Abdominal CT with intravenous contrast, axial plane, 120 kVp, kernel B31f. Slice 78/99 from the bottom of the scan; thickness 5.00 mm; pixel size 0.742 mm.
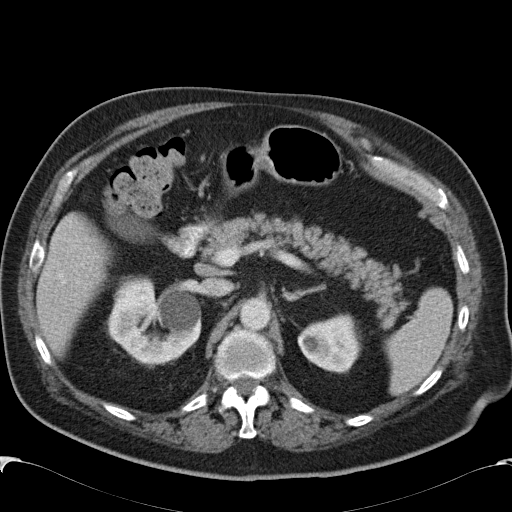
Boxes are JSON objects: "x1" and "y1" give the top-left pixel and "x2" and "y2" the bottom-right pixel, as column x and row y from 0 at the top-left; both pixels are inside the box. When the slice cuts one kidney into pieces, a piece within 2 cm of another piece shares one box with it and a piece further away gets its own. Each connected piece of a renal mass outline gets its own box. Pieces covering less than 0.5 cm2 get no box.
Boxed on this slice (two kidney boxes), listed by box centre from the image's left to its right: (1) Box {"x1": 108, "y1": 275, "x2": 201, "y2": 364}: right kidney (outlined area 6,079 px, about 33.5 cm2). (2) Box {"x1": 297, "y1": 313, "x2": 361, "y2": 373}: left kidney (outlined area 2,832 px, about 15.6 cm2). This slice carries no renal mass outline.